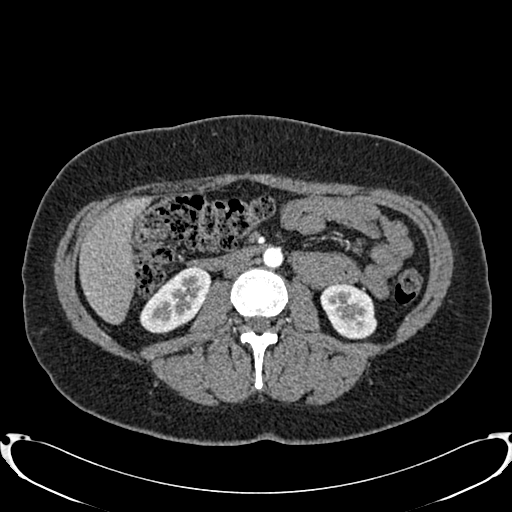
Abdominal CT with intravenous contrast, arterial phase, axial plane, 120 kVp, kernel B20f. Slice 411/719 from the bottom of the scan; thickness 1.00 mm; pixel size 0.766 mm.
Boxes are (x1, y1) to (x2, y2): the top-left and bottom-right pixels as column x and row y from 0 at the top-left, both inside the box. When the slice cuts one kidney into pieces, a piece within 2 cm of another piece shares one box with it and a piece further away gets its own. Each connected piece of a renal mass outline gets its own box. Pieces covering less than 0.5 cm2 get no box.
Boxed on this slice (two kidney boxes), listed by box centre from the image's left to its right: (1) Right kidney from (139, 266) to (210, 333) (outlined area 3,035 px, about 17.8 cm2). (2) Box (320, 282) to (377, 339): left kidney (outlined area 2,456 px, about 14.4 cm2). No renal mass outline on this slice.